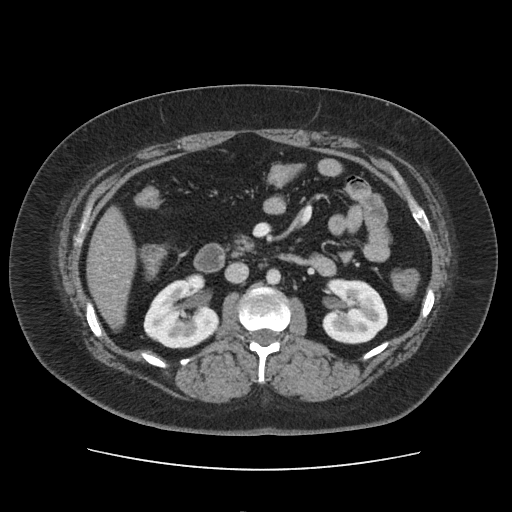
One axial slice (68 of 103, counting up from the lowest) of an arterial-phase abdominal CT acquired with 120 kVp, kernel FC19; each pixel is 0.873 mm and the slice is 5.00 mm thick.
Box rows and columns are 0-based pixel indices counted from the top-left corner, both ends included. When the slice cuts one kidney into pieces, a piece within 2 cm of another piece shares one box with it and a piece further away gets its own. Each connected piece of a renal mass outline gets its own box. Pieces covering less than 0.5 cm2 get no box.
Two boxes on this slice (two kidney boxes), listed by box centre from the image's left to its right. (1) Right kidney, box rows 273–348, columns 143–219 (outlined area 4,111 px, about 31.3 cm2). (2) Left kidney at rows 278–344, columns 322–388 (outlined area 3,520 px, about 26.8 cm2). No renal mass outline on this slice.